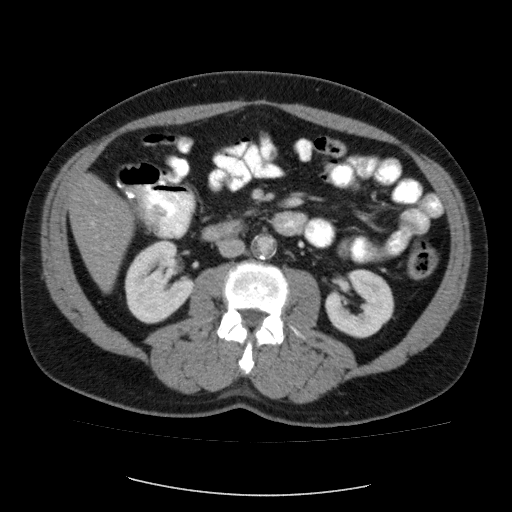
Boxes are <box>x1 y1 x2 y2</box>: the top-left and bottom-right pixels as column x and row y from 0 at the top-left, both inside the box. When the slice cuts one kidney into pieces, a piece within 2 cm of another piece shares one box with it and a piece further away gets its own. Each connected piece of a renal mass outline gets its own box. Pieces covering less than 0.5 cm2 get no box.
This is axial slice 50 of 87 (slice 1 is the lowest) of an abdominal CT with contrast; each pixel is 0.812 mm and the slice is 5.00 mm thick. Two boxes on this slice (two kidney boxes), listed by box centre from the image's left to its right. (1) At <box>124 241 194 323</box>: right kidney (outlined area 4,103 px, about 27.1 cm2). (2) At <box>325 270 394 338</box>: left kidney (outlined area 3,321 px, about 21.9 cm2). No renal mass outline on this slice.
Acquired at 120 kVp and reconstructed with the FC12 kernel.